Abdominal CT with intravenous contrast, arterial phase, axial plane, 120 kVp, kernel I30f. Slice 465/612 from the bottom of the scan; thickness 1.00 mm; pixel size 0.703 mm.
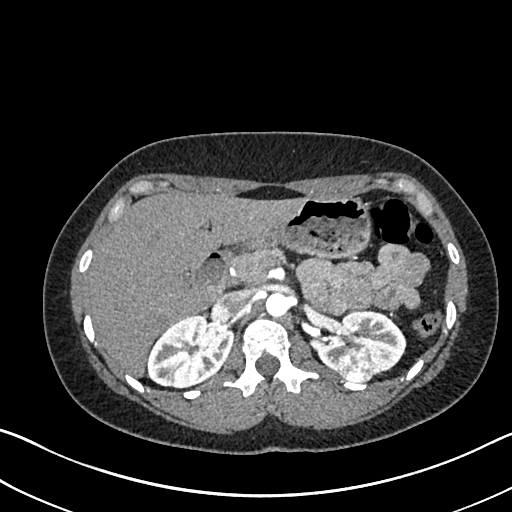
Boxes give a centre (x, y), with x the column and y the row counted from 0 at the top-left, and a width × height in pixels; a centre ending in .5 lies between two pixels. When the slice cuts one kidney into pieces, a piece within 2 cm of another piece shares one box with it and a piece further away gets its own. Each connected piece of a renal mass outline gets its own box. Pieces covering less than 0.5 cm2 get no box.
Three boxes on this slice (two kidney boxes and one renal mass box), listed by box centre from the image's left to its right. (1) Right kidney in a box with centre (190, 351.5), 87 × 74 pixels (outlined area 4,609 px, about 22.8 cm2). (2) Box centre (355.5, 363.5), 38 × 36 pixels: left renal mass (outlined area 1,118 px, about 5.5 cm2). (3) Box centre (361.5, 342.5), 90 × 66 pixels: left kidney (outlined area 3,476 px, about 17.2 cm2).